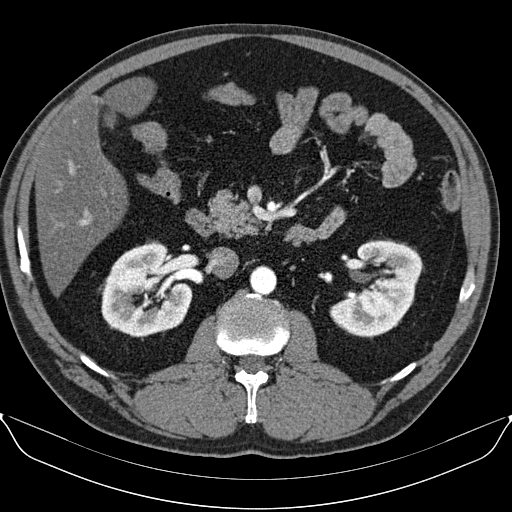
Arterial-phase contrast-enhanced abdominal CT, axial slice 51 of 96 (counted from the lowest slice); tube voltage 130 kVp, convolution kernel B30s; slices 3.00 mm thick, 0.781 mm per pixel.
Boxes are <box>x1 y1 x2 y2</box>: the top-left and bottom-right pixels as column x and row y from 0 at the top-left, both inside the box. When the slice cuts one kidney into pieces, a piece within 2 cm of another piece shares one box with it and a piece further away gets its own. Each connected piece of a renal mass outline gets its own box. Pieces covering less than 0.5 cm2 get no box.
Two kidney boxes on this slice; by box centre, from the image's left to its right: (1) At <box>100 240 192 339</box>: right kidney (outlined area 6,474 px, about 39.5 cm2). (2) Left kidney at <box>329 239 423 338</box> (outlined area 6,009 px, about 36.7 cm2). This slice carries no renal mass outline.